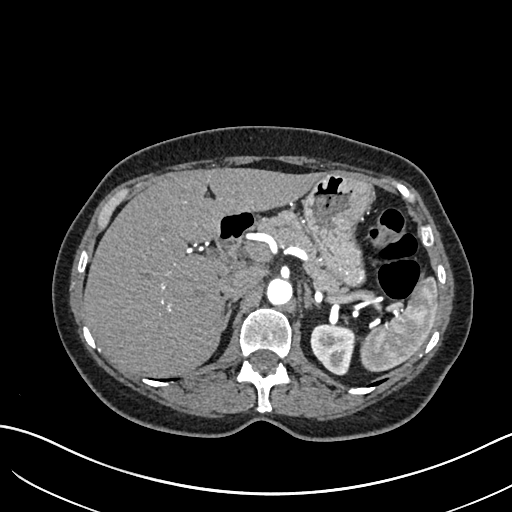
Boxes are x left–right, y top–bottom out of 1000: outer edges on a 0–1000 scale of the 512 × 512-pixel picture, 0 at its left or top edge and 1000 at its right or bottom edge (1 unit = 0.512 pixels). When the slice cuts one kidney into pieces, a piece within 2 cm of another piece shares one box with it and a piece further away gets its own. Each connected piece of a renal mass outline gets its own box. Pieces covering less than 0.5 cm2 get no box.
Slice 460/683 of a contrast-enhanced abdominal CT in the arterial phase, counting up from the lowest; pixel size 0.738 mm, slice thickness 1.00 mm. Box x 605–693, y 635–734 out of 1000: left kidney (outlined area 1,771 px, about 9.7 cm2). No renal mass outline on this slice.
Acquired at 120 kVp and reconstructed with the I30f kernel.